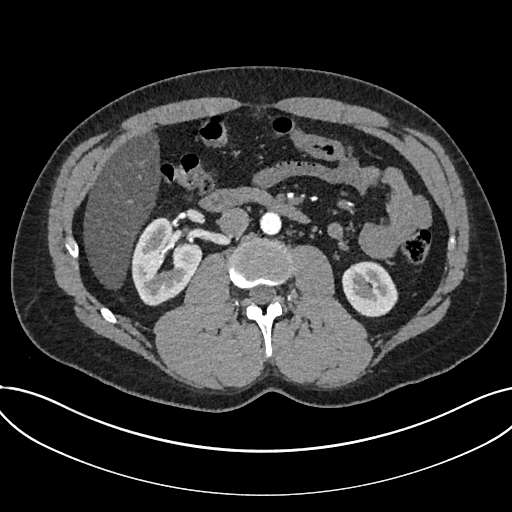
One axial slice (389 of 735, counting up from the lowest) of an arterial-phase abdominal CT acquired with 120 kVp, kernel I30f; each pixel is 0.789 mm and the slice is 1.00 mm thick.
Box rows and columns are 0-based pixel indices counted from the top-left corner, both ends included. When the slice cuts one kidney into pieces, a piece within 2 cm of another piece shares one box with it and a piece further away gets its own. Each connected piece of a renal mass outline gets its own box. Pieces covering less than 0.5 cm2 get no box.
Two boxes on this slice (two kidney boxes), listed by box centre from the image's left to its right. (1) Kidney, box rows 217–305, columns 131–202 (outlined area 4,321 px, about 26.9 cm2). (2) Kidney at rows 261–317, columns 342–398 (outlined area 2,425 px, about 15.1 cm2). No renal mass outline on this slice.